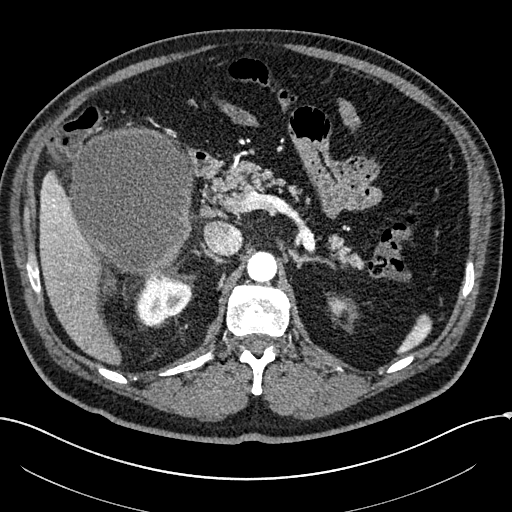
Axial slice 159 of 304 of a contrast-enhanced abdominal CT in the arterial phase (slice 1 is the lowest), 100 kVp, kernel I30f; 2.00 mm slice thickness and 0.809 mm pixels.
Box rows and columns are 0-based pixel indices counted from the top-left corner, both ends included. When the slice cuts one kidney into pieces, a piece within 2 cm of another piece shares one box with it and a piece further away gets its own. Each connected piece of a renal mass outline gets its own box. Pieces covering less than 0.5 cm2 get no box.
One kidney box and one renal mass box on this slice; by box centre, from the image's left to its right: (1) Right renal mass, box rows 126–275, columns 68–193 (outlined area 14,767 px, about 96.6 cm2). (2) Box rows 268–326, columns 136–192: right kidney (outlined area 2,103 px, about 13.7 cm2).